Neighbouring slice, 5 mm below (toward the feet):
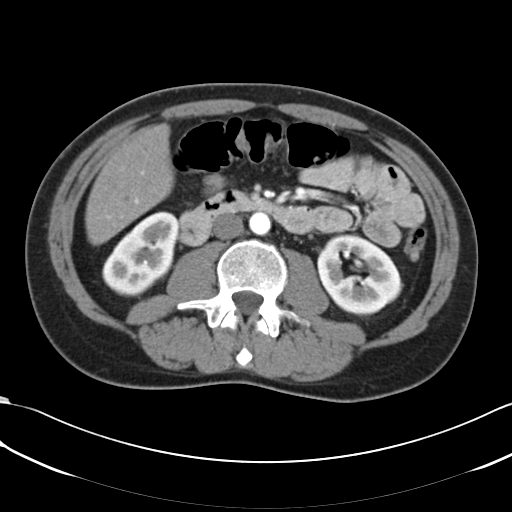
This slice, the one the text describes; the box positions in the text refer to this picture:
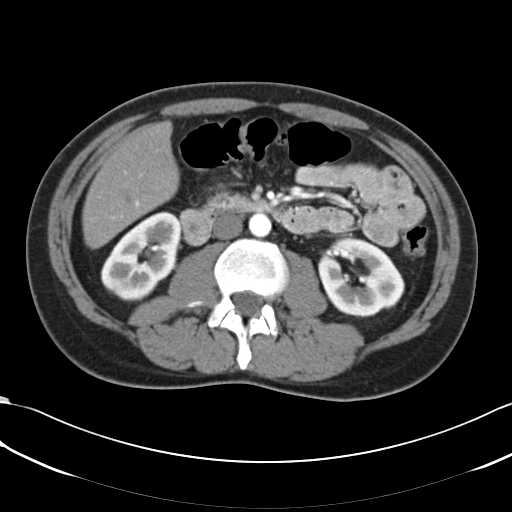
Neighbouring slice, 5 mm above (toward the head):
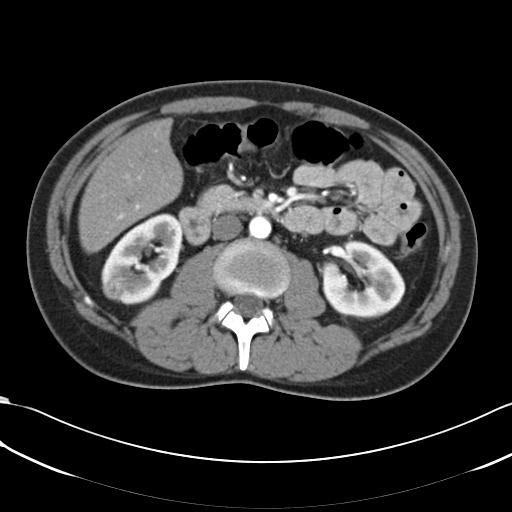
One axial slice (34 of 66, counting up from the lowest) of an arterial-phase abdominal CT acquired with 120 kVp, kernel B30f; each pixel is 0.678 mm and the slice is 5.00 mm thick.
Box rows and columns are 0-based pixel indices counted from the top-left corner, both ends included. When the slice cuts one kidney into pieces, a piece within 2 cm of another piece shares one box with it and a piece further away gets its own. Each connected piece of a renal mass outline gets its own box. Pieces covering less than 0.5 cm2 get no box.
Three boxes on this slice (two kidney boxes and one renal mass box), listed by box centre from the image's left to its right. (1) Right renal mass at rows 278–289, columns 113–125 (outlined area 126 px, about 0.6 cm2). (2) Box rows 211–299, columns 100–181: right kidney (outlined area 4,634 px, about 21.3 cm2). (3) Box rows 238–317, columns 319–404: left kidney (outlined area 4,744 px, about 21.8 cm2). This slice lies near the end of the right renal mass toward the feet; the slices 5 mm below and 5 mm above it are shown too, and the boxes mark positions on this slice only.